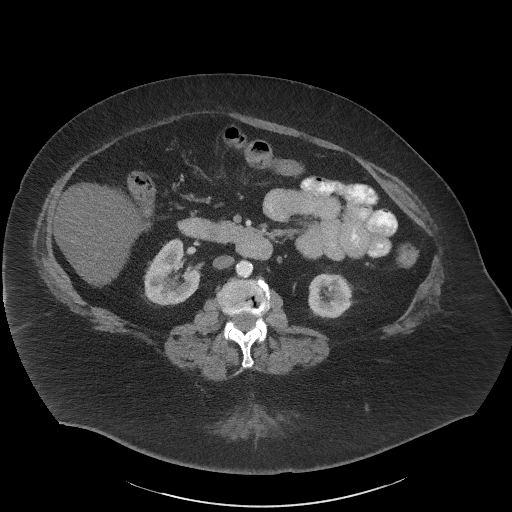
Axial slice 27 of 61 of a contrast-enhanced abdominal CT in the arterial phase (slice 1 is the lowest), 140 kVp, kernel I41f; 3.00 mm slice thickness and 0.947 mm pixels.
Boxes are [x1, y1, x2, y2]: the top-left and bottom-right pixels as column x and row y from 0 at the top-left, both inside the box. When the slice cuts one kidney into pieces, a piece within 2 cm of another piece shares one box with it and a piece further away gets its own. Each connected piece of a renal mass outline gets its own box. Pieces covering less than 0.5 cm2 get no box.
Boxed on this slice (two kidney boxes), listed by box centre from the image's left to its right: (1) Right kidney, box [143, 238, 202, 305] (outlined area 2,758 px, about 24.7 cm2). (2) Left kidney, box [308, 273, 352, 318] (outlined area 1,707 px, about 15.3 cm2). This slice carries no renal mass outline.